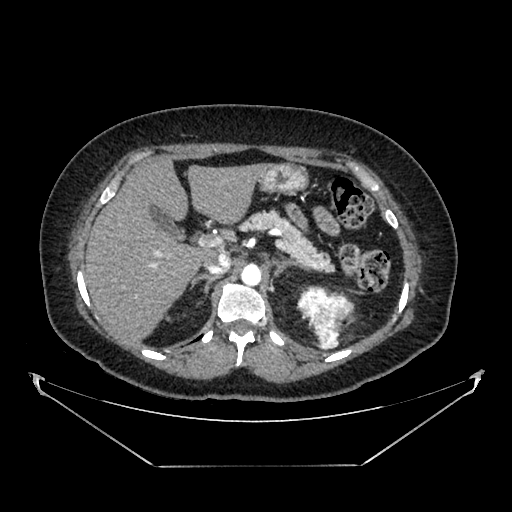
Abdominal CT with intravenous contrast, arterial phase, axial plane, 100 kVp, kernel SOFT. Slice 269/383 from the bottom of the scan; thickness 1.25 mm; pixel size 0.898 mm.
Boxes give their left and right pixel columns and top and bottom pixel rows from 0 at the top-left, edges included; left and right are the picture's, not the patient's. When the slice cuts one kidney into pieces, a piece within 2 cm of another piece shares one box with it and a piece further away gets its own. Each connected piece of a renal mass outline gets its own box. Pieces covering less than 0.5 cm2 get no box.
Left renal mass in the box with left 297, top 285, right 354, bottom 349 (outlined area 2,196 px, about 17.7 cm2); no kidney outline appears on this slice, but the same outlined renal mass comes within 1 cm of the kidney on another slice.